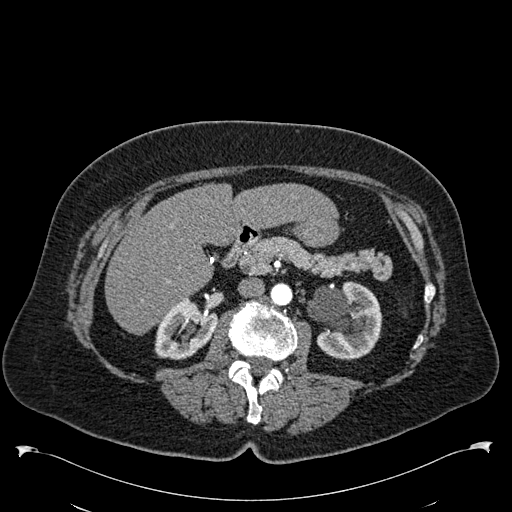
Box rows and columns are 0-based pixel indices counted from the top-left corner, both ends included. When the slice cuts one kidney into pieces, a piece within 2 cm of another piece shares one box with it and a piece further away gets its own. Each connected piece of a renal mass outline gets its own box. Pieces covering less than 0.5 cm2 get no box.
Arterial-phase contrast-enhanced abdominal CT, axial slice 332 of 538 (counted from the lowest slice); 1.00 mm thick, 0.811 mm per pixel. Boxed on this slice (two kidney boxes), listed by box centre from the image's left to its right: (1) Right kidney, box rows 301–359, columns 154–217 (outlined area 2,614 px, about 17.2 cm2). (2) Left kidney at rows 281–359, columns 307–382 (outlined area 4,357 px, about 28.6 cm2). No renal mass is outlined on this slice.
Acquired at 120 kVp and reconstructed with the B30f kernel.